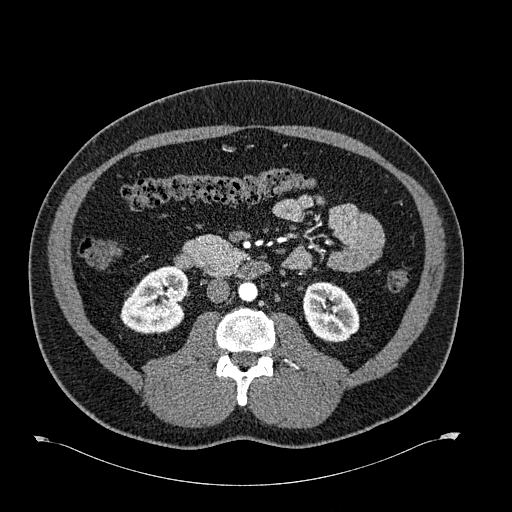
Arterial-phase contrast-enhanced abdominal CT, axial slice 327 of 723 (counted from the lowest slice); tube voltage 120 kVp, convolution kernel B30f; slices 1.00 mm thick, 0.895 mm per pixel.
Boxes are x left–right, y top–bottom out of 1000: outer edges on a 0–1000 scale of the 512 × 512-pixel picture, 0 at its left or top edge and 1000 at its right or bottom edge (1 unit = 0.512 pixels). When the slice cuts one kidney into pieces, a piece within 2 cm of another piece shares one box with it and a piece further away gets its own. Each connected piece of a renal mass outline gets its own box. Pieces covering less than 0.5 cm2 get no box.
Two kidney boxes on this slice; by box centre, from the image's left to its right: (1) Right kidney, box x 234–369, y 518–654 out of 1000 (outlined area 3,411 px, about 27.3 cm2). (2) Box x 592–703, y 549–670 out of 1000: left kidney (outlined area 2,693 px, about 21.5 cm2).